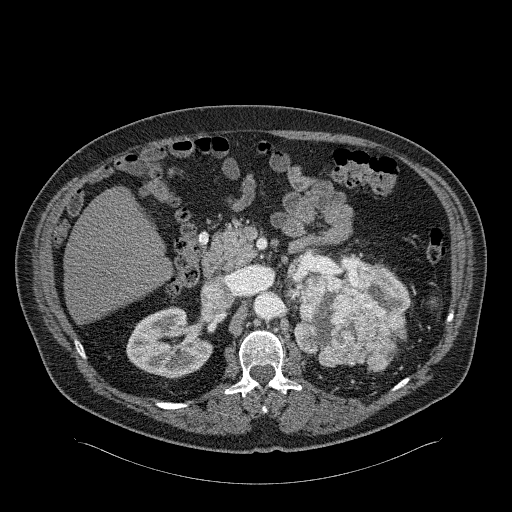
Abdominal CT with intravenous contrast, arterial phase, axial plane, 120 kVp, kernel B31f. Slice 149/326 from the bottom of the scan; thickness 2.00 mm; pixel size 0.963 mm.
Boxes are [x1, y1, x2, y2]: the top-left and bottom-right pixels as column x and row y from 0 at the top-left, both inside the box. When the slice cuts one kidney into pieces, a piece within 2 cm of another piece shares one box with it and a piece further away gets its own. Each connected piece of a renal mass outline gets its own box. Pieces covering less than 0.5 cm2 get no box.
Boxed on this slice (two kidney boxes and one renal mass box), listed by box centre from the image's left to its right: (1) Right kidney, box [126, 306, 213, 378] (outlined area 4,389 px, about 40.7 cm2). (2) Left renal mass, box [293, 264, 406, 370] (outlined area 8,298 px, about 76.9 cm2). (3) Box [368, 263, 410, 311]: left kidney (outlined area 1,335 px, about 12.4 cm2).